One axial slice (413 of 512, counting up from the lowest) of an arterial-phase abdominal CT acquired with 120 kVp, kernel B30f; each pixel is 0.771 mm and the slice is 1.00 mm thick.
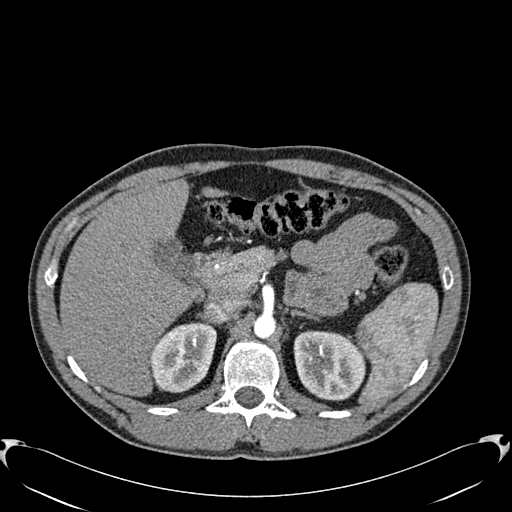
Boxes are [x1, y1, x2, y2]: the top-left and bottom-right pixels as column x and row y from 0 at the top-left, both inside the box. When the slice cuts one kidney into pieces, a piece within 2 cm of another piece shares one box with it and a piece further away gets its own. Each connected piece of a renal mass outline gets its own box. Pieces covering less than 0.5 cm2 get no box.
Two boxes on this slice (two kidney boxes), listed by box centre from the image's left to its right. (1) Box [150, 322, 216, 392]: right kidney (outlined area 3,563 px, about 21.2 cm2). (2) Box [293, 330, 365, 401]: left kidney (outlined area 4,079 px, about 24.3 cm2). No renal mass is outlined on this slice.